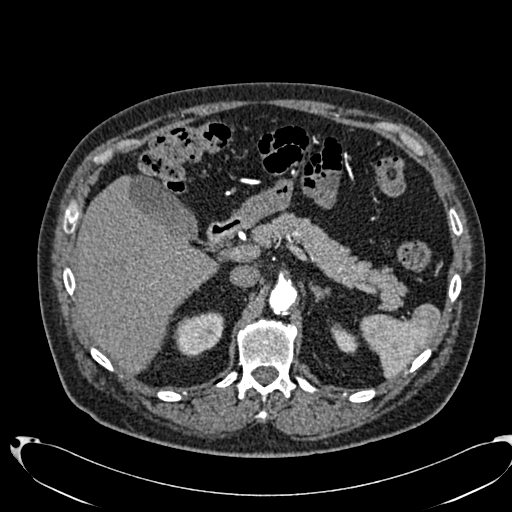
Arterial-phase contrast-enhanced abdominal CT, axial slice 489 of 553 (counted from the lowest slice); tube voltage 120 kVp, convolution kernel B20f; slices 1.00 mm thick, 0.773 mm per pixel.
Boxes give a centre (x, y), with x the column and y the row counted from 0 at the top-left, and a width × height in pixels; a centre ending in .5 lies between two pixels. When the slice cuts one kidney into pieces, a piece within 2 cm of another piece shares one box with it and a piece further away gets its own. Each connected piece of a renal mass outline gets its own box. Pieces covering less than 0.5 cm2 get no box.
Two kidney boxes on this slice; by box centre, from the image's left to its right: (1) Right kidney in a box with centre (198.5, 334), 52 × 47 pixels (outlined area 1,700 px, about 10.2 cm2). (2) Left kidney in a box with centre (344, 338.5), 29 × 32 pixels (outlined area 521 px, about 3.1 cm2). No renal mass outline on this slice.